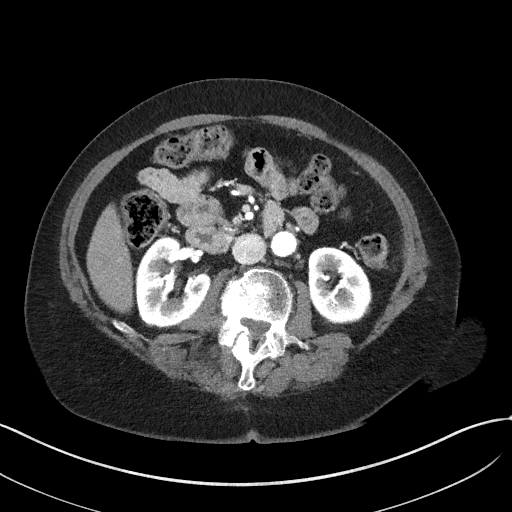
One axial slice (21 of 50, counting up from the lowest) of an arterial-phase abdominal CT acquired with 100 kVp, kernel I41f; each pixel is 0.758 mm and the slice is 3.00 mm thick.
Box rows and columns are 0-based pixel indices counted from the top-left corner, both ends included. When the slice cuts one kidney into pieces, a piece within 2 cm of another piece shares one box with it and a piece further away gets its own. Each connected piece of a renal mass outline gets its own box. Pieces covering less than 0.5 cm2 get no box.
Boxed on this slice (two kidney boxes), listed by box centre from the image's left to its right: (1) Box rows 235–326, columns 137–210: right kidney (outlined area 4,712 px, about 27.1 cm2). (2) Left kidney, box rows 246–324, columns 307–372 (outlined area 3,896 px, about 22.4 cm2). This slice carries no renal mass outline.